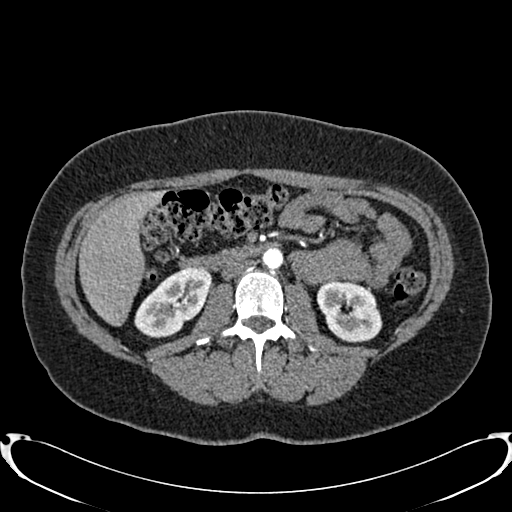
Arterial-phase contrast-enhanced abdominal CT, axial slice 426 of 719 (counted from the lowest slice); tube voltage 120 kVp, convolution kernel B20f; slices 1.00 mm thick, 0.766 mm per pixel.
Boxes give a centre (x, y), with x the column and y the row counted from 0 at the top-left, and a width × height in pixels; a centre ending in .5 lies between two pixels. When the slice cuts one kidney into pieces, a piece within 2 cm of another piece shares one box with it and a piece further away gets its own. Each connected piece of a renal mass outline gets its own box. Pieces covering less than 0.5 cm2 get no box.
Two boxes on this slice (two kidney boxes), listed by box centre from the image's left to its right. (1) Box centre (173, 302), 79 × 73 pixels: right kidney (outlined area 3,564 px, about 20.9 cm2). (2) Left kidney in a box with centre (349, 310.5), 67 × 64 pixels (outlined area 3,097 px, about 18.2 cm2). No renal mass outline on this slice.